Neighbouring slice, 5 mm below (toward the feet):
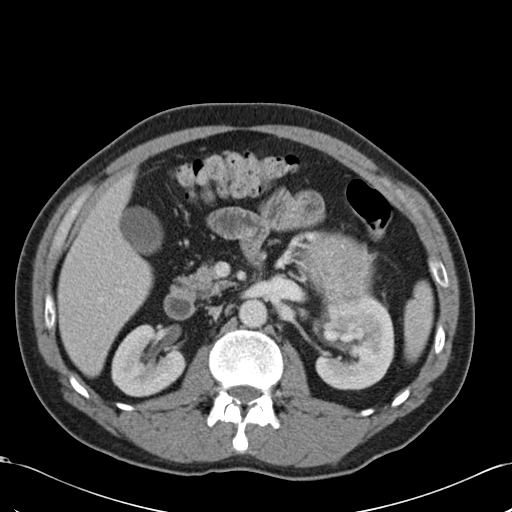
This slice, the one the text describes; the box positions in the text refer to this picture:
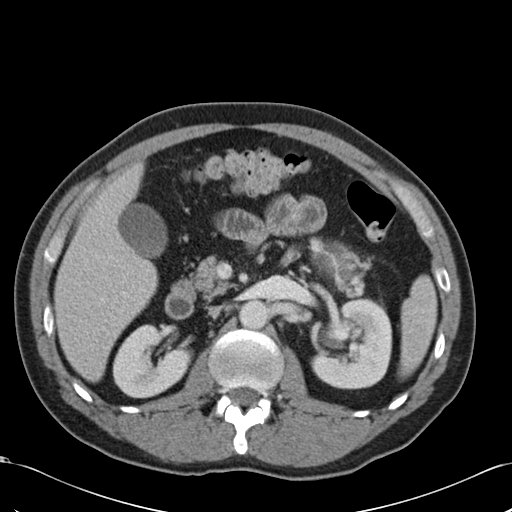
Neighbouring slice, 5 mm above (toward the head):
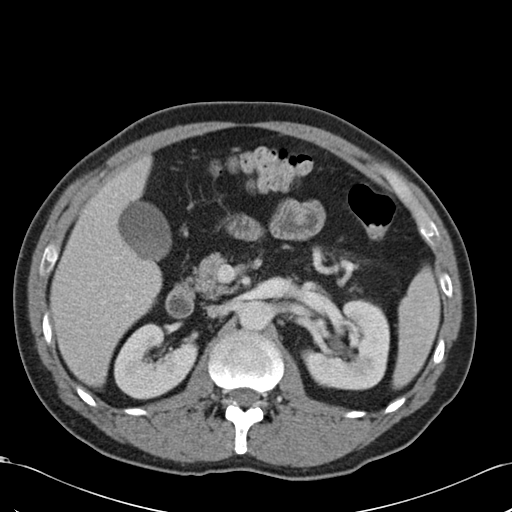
Abdominal CT with intravenous contrast, arterial phase, axial plane, 120 kVp, kernel B30f. Slice 67/99 from the bottom of the scan; thickness 5.00 mm; pixel size 0.693 mm.
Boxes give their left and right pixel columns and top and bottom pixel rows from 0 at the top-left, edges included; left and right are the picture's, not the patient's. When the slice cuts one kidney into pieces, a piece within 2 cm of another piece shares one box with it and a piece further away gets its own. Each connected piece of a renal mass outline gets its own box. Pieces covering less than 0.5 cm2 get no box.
Three boxes on this slice (two kidney boxes and one renal mass box), listed by box centre from the image's left to its right. (1) Right kidney in the box with left 112, top 324, right 192, bottom 398 (outlined area 4,129 px, about 19.9 cm2). (2) Left renal mass, the box with left 307, top 236, right 373, bottom 298 (outlined area 2,254 px, about 10.8 cm2). (3) Box with left 310, top 298, right 392, bottom 389: left kidney (outlined area 5,507 px, about 26.5 cm2). This slice is near the end of the left renal mass toward the head, so the slices 5 mm below and 5 mm above it are shown as well; the boxes refer to this slice only.